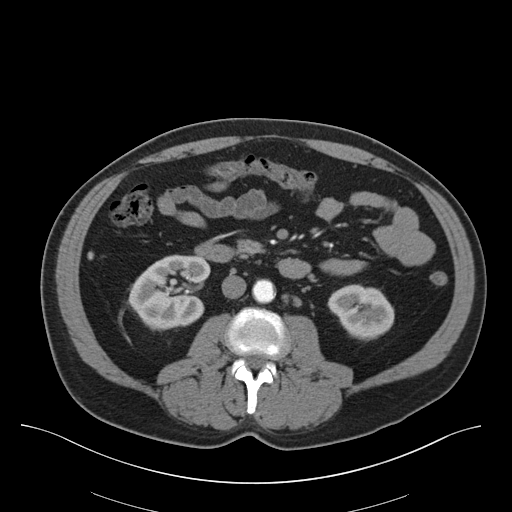
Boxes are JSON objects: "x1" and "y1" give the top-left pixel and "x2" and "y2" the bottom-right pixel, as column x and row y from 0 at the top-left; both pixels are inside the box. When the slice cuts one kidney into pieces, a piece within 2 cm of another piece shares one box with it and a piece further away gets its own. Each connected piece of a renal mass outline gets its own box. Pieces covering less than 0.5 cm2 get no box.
This is axial slice 22 of 75 (slice 1 is the lowest) of an abdominal CT with contrast; each pixel is 0.875 mm and the slice is 3.00 mm thick. Two kidney boxes on this slice; by box centre, from the image's left to its right: (1) Box {"x1": 128, "y1": 254, "x2": 210, "y2": 331}: right kidney (outlined area 4,630 px, about 35.4 cm2). (2) Box {"x1": 327, "y1": 284, "x2": 394, "y2": 340}: left kidney (outlined area 2,743 px, about 21.0 cm2). No renal mass outline on this slice.
Tube voltage 140 kVp; convolution kernel B30f.